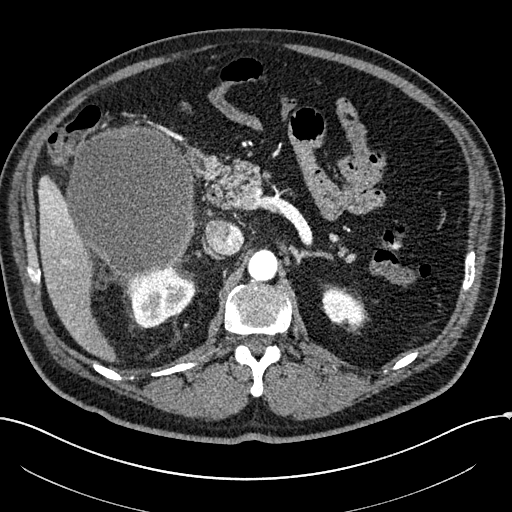
Abdominal CT with intravenous contrast, arterial phase, axial plane, 100 kVp, kernel I30f. Slice 155/304 from the bottom of the scan; thickness 2.00 mm; pixel size 0.809 mm.
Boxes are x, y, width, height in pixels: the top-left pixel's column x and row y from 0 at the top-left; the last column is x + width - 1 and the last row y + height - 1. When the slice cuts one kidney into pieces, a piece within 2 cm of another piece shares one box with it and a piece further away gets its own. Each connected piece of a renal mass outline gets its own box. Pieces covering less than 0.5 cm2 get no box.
Boxed on this slice (two kidney boxes and one renal mass box), listed by box centre from the image's left to its right: (1) Right renal mass at x 64, y 124, width 132, height 155 (outlined area 15,537 px, about 101.6 cm2). (2) Right kidney at x 124, y 266, width 72, height 62 (outlined area 2,988 px, about 19.5 cm2). (3) Left kidney at x 322, y 287, width 43, height 41 (outlined area 1,262 px, about 8.3 cm2).